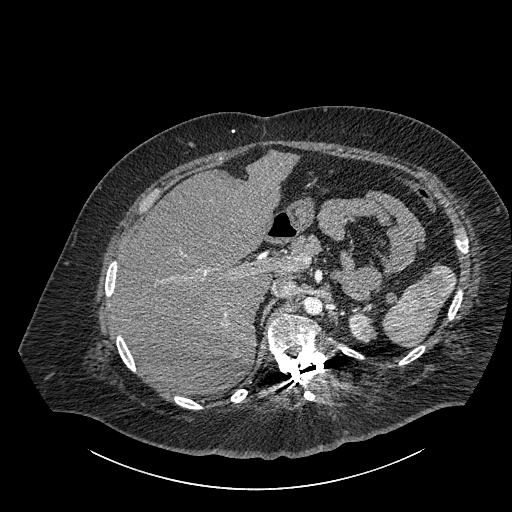
Abdominal CT with intravenous contrast, axial plane, 140 kVp, kernel I30f. Slice 640/834 from the bottom of the scan; thickness 1.00 mm; pixel size 0.977 mm.
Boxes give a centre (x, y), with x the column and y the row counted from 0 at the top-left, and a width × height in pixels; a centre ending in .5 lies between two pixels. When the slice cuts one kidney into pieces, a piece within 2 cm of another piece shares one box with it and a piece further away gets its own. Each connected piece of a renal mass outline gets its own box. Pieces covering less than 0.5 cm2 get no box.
Box centre (362.5, 327), 30 × 33 pixels: left part of the midline-crossing kidney (outlined area 655 px, about 6.2 cm2). This slice carries no renal mass outline.